Axial slice 173 of 548 of a contrast-enhanced abdominal CT in the arterial phase (slice 1 is the lowest), 120 kVp, kernel I26f; 1.00 mm slice thickness and 0.852 mm pixels.
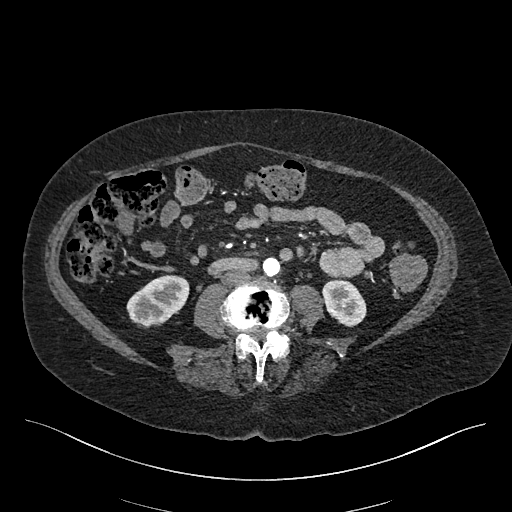
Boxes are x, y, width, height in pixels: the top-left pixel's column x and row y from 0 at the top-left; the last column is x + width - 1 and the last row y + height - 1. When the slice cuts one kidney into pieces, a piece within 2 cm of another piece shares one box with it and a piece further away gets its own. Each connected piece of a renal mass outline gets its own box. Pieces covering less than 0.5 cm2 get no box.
Two boxes on this slice (two kidney boxes), listed by box centre from the image's left to its right. (1) Box x 126, y 275, width 64, height 53: right kidney (outlined area 2,310 px, about 16.8 cm2). (2) Box x 322, y 279, width 45, height 48: left kidney (outlined area 1,575 px, about 11.4 cm2). No renal mass is outlined on this slice.